One axial slice (62 of 97, counting up from the lowest) of a contrast-enhanced abdominal CT acquired with 120 kVp, kernel B30f; each pixel is 0.664 mm and the slice is 5.00 mm thick.
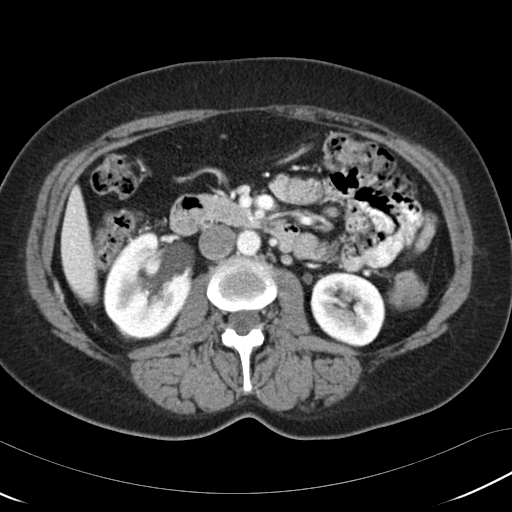
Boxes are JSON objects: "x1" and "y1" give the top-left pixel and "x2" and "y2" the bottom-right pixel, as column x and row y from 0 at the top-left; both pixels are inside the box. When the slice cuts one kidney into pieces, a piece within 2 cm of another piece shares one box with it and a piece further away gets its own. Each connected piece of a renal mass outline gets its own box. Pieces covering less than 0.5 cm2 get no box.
Boxed on this slice (two kidney boxes), listed by box centre from the image's left to its right: (1) Right kidney at {"x1": 103, "y1": 231, "x2": 194, "y2": 340} (outlined area 6,909 px, about 30.5 cm2). (2) Left kidney, box {"x1": 310, "y1": 271, "x2": 385, "y2": 347} (outlined area 4,414 px, about 19.5 cm2). No renal mass outline on this slice.